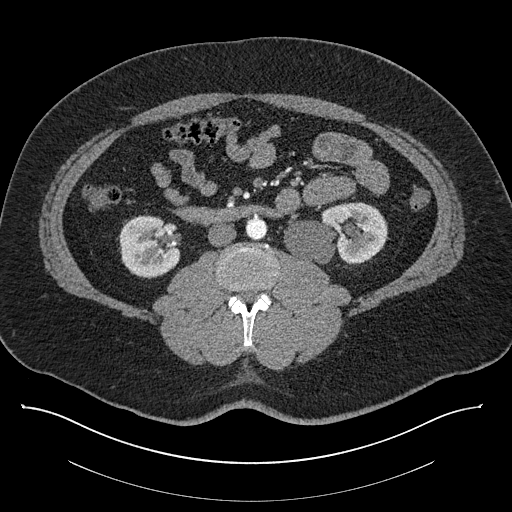
Contrast-enhanced abdominal CT, axial slice 428 of 787 (counted from the lowest slice); tube voltage 140 kVp, convolution kernel I30f; slices 1.00 mm thick, 0.910 mm per pixel.
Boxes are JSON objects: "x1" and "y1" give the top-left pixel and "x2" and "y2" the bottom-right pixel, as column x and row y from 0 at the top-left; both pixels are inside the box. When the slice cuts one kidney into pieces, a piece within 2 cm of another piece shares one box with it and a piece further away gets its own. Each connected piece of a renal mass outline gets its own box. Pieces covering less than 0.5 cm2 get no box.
Boxed on this slice (two kidney boxes), listed by box centre from the image's left to its right: (1) Right kidney at {"x1": 118, "y1": 215, "x2": 180, "y2": 278} (outlined area 3,017 px, about 25.0 cm2). (2) Left kidney at {"x1": 284, "y1": 202, "x2": 387, "y2": 264} (outlined area 4,826 px, about 40.0 cm2). No renal mass is outlined on this slice.